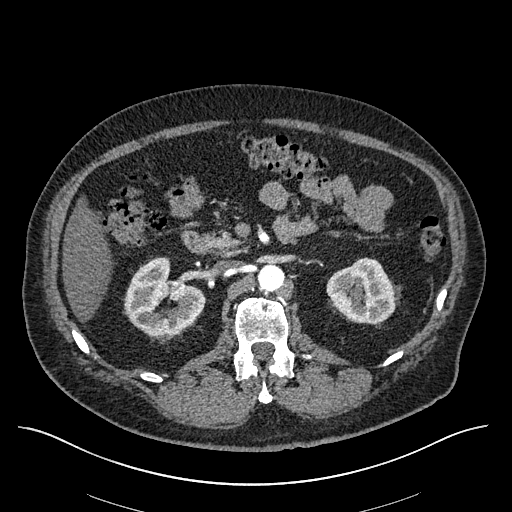
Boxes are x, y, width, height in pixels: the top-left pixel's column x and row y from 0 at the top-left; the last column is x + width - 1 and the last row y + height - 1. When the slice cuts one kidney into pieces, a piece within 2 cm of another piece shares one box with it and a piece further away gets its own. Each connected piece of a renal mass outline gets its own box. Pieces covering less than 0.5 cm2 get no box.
Arterial-phase contrast-enhanced abdominal CT, axial slice 361 of 670 (counted from the lowest slice); 1.00 mm thick, 0.861 mm per pixel. Boxed on this slice (two kidney boxes), listed by box centre from the image's left to its right: (1) Right kidney at x 124, y 257, width 82, height 80 (outlined area 4,433 px, about 32.9 cm2). (2) Left kidney at x 326, y 257, width 76, height 67 (outlined area 3,554 px, about 26.4 cm2). No renal mass is outlined on this slice.
Tube voltage 120 kVp; convolution kernel I30f.